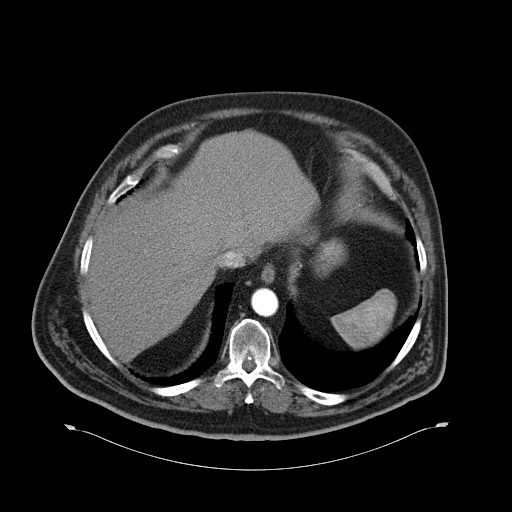
Axial slice 55 of 70 of a contrast-enhanced abdominal CT in the arterial phase (slice 1 is the lowest), 120 kVp, kernel B30f; 5.00 mm slice thickness and 0.977 mm pixels.
Outside the outlined region: no kidney outline and no renal mass outline on this slice. The scan's outlines cover only kidneys and renal masses; no other organ is outlined.